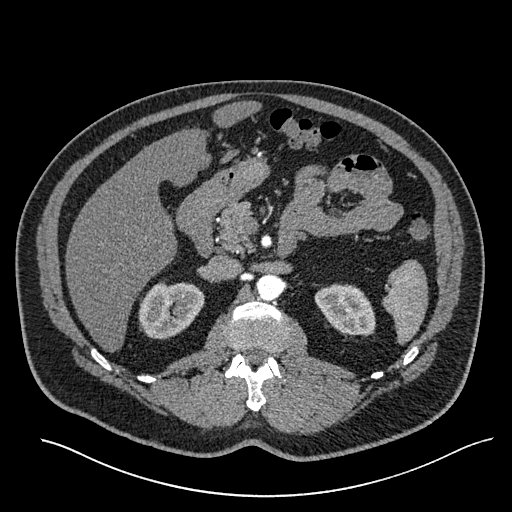
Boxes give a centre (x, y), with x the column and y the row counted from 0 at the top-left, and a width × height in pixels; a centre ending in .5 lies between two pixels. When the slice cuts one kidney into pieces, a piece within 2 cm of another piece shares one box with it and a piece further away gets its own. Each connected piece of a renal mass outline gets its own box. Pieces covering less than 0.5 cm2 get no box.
Slice 371/527 of a contrast-enhanced abdominal CT in the arterial phase, counting up from the lowest; pixel size 0.859 mm, slice thickness 1.00 mm. Two boxes on this slice (two kidney boxes), listed by box centre from the image's left to its right. (1) Right kidney, box centre (171, 310), 67 × 59 pixels (outlined area 2,906 px, about 21.5 cm2). (2) Left kidney, box centre (344.5, 310), 62 × 55 pixels (outlined area 2,382 px, about 17.6 cm2). No renal mass outline on this slice.
Scan settings: 120 kVp, I30f reconstruction kernel.